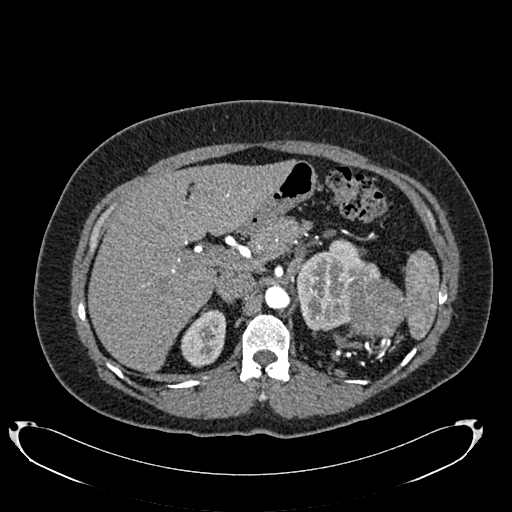
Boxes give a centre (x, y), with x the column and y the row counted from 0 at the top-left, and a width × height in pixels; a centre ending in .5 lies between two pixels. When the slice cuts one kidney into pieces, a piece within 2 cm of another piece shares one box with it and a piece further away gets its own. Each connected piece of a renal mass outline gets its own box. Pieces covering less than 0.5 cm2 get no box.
Arterial-phase contrast-enhanced abdominal CT, axial slice 514 of 634 (counted from the lowest slice); 1.00 mm thick, 0.838 mm per pixel. Three boxes on this slice (two kidney boxes and one renal mass box), listed by box centre from the image's left to its right. (1) Right kidney in a box with centre (203, 338), 47 × 59 pixels (outlined area 1,952 px, about 13.7 cm2). (2) Left kidney in a box with centre (338, 284.5), 85 × 94 pixels (outlined area 4,665 px, about 32.8 cm2). (3) Box centre (376.5, 307), 60 × 61 pixels: left renal mass (outlined area 2,795 px, about 19.6 cm2).
Acquired at 120 kVp and reconstructed with the B20f kernel.